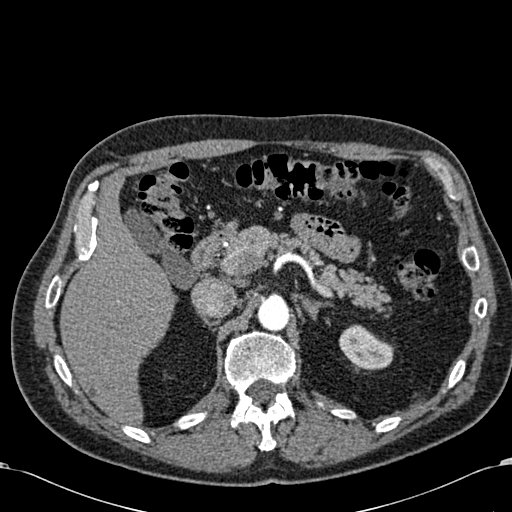
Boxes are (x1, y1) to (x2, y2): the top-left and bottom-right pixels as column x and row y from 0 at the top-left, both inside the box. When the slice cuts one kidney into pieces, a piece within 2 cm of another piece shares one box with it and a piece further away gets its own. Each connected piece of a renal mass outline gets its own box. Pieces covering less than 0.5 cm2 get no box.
This is axial slice 436 of 581 (slice 1 is the lowest) of an arterial-phase abdominal CT with contrast; each pixel is 0.713 mm and the slice is 1.00 mm thick. Box (339, 324) to (394, 370): left kidney (outlined area 1,769 px, about 9.0 cm2). This slice carries no renal mass outline.
Scan settings: 120 kVp, B30f reconstruction kernel.